Contrast-enhanced abdominal CT, axial slice 39 of 87 (counted from the lowest slice); tube voltage 120 kVp, convolution kernel FC12; slices 5.00 mm thick, 0.812 mm per pixel.
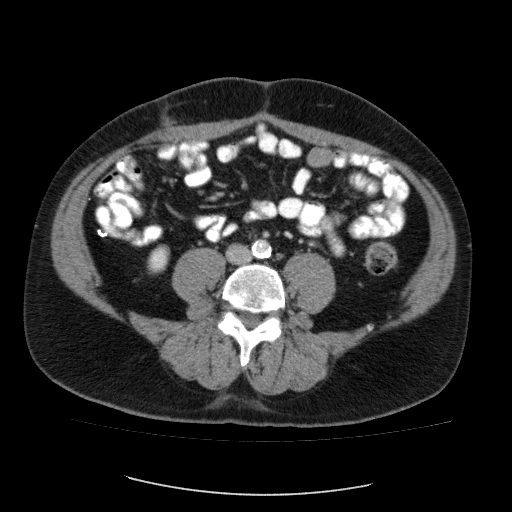
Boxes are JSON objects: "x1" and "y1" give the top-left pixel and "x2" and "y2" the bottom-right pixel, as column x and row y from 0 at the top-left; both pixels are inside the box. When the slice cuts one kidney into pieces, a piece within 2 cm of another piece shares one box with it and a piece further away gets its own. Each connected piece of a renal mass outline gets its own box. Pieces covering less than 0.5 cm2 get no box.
Right kidney, box {"x1": 147, "y1": 244, "x2": 169, "y2": 273} (outlined area 517 px, about 3.4 cm2). No renal mass is outlined on this slice.